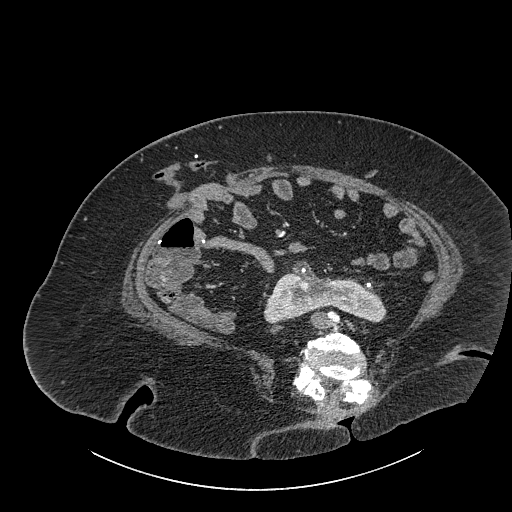
Axial slice 436 of 834 of a contrast-enhanced abdominal CT (slice 1 is the lowest), 140 kVp, kernel I30f; 1.00 mm slice thickness and 0.977 mm pixels.
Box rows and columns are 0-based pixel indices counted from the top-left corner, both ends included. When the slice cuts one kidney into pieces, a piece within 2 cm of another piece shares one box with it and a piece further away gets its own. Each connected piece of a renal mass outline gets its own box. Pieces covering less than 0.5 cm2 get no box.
Kidney crossing the body midline, box rows 260–323, columns 263–386 (outlined area 4,459 px, about 42.5 cm2). No renal mass outline on this slice.